Axial slice 439 of 673 of a contrast-enhanced abdominal CT in the arterial phase (slice 1 is the lowest), 120 kVp, kernel I30f; 1.00 mm slice thickness and 0.855 mm pixels.
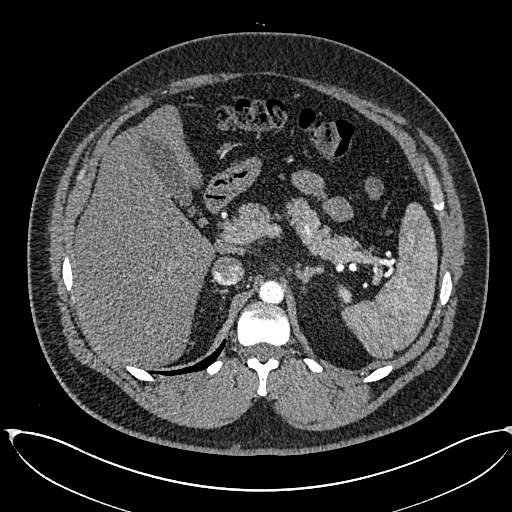
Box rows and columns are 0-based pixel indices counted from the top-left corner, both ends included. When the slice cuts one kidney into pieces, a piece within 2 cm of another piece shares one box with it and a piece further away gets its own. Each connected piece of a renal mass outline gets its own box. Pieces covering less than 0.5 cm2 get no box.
Left kidney, box rows 286–299, columns 337–349 (outlined area 132 px, about 1.0 cm2). No renal mass outline on this slice.